One axial slice (297 of 591, counting up from the lowest) of an arterial-phase abdominal CT acquired with 140 kVp, kernel I30f; each pixel is 0.703 mm and the slice is 1.00 mm thick.
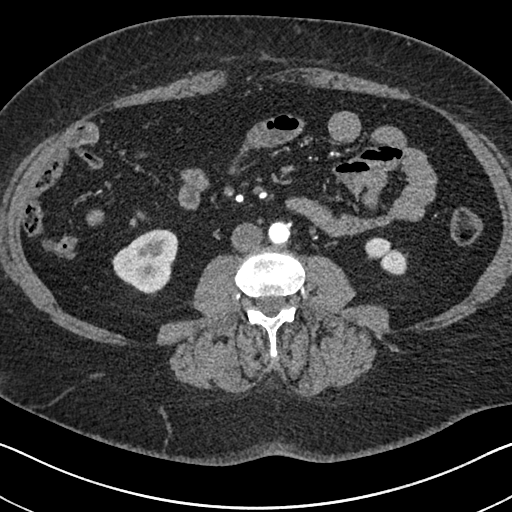
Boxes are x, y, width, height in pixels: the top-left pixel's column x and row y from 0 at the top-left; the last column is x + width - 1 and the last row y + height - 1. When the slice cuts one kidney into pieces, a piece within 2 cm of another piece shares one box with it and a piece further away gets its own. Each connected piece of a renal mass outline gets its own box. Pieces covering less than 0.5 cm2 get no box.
Boxed on this slice (two kidney boxes), listed by box centre from the image's left to its right: (1) Right kidney, box x 112, y 228, width 67, height 67 (outlined area 3,059 px, about 15.1 cm2). (2) Left kidney, box x 364, y 237, width 44, height 39 (outlined area 1,026 px, about 5.1 cm2). No renal mass outline on this slice.